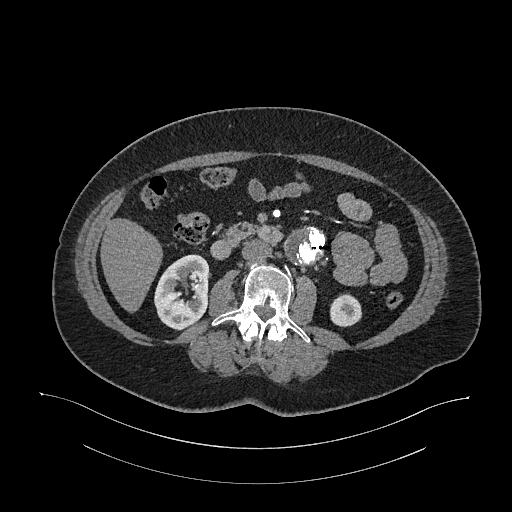
Arterial-phase contrast-enhanced abdominal CT, axial slice 593 of 987 (counted from the lowest slice); tube voltage 120 kVp, convolution kernel I26f; slices 1.00 mm thick, 0.977 mm per pixel.
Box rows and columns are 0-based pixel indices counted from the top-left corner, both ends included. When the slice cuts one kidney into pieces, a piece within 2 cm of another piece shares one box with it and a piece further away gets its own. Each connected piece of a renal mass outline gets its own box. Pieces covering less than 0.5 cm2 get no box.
Boxed on this slice (two kidney boxes), listed by box centre from the image's left to its right: (1) Right kidney, box rows 254–330, columns 154–209 (outlined area 3,158 px, about 30.1 cm2). (2) Box rows 293–326, columns 330–362: left kidney (outlined area 864 px, about 8.2 cm2). No renal mass outline on this slice.